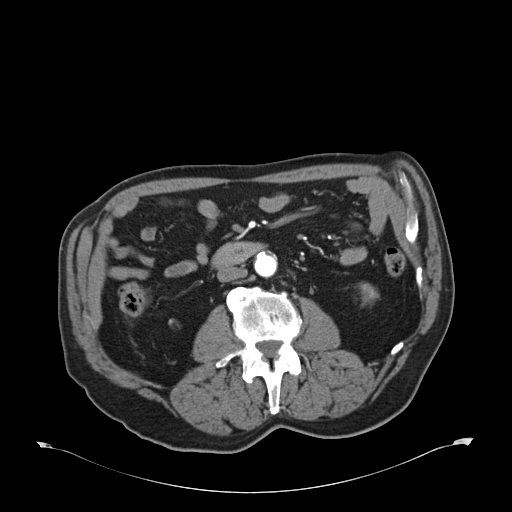
Axial slice 23 of 59 of a contrast-enhanced abdominal CT in the arterial phase (slice 1 is the lowest), 120 kVp, kernel B30f; 5.00 mm slice thickness and 0.871 mm pixels.
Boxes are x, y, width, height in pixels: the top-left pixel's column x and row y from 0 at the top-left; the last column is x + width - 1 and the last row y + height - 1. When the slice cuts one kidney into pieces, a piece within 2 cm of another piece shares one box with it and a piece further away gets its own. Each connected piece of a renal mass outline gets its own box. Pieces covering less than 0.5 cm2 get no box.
Left kidney at x 359, y 282, width 20, height 24 (outlined area 301 px, about 2.3 cm2). This slice carries no renal mass outline.